One axial slice (97 of 178, counting up from the lowest) of a contrast-enhanced abdominal CT acquired with 100 kVp, kernel I30f; each pixel is 0.650 mm and the slice is 5.00 mm thick.
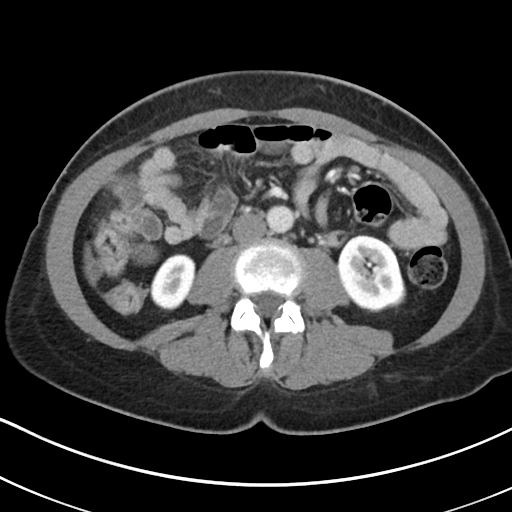
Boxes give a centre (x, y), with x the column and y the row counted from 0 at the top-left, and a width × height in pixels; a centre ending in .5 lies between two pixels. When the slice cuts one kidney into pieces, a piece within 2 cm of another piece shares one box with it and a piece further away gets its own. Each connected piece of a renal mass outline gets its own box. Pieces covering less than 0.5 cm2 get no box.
Two boxes on this slice (two kidney boxes), listed by box centre from the image's left to its right. (1) Right kidney, box centre (172, 281.5), 47 × 58 pixels (outlined area 1,924 px, about 8.1 cm2). (2) Left kidney in a box with centre (371.5, 273), 70 × 79 pixels (outlined area 4,087 px, about 17.3 cm2). No renal mass outline on this slice.